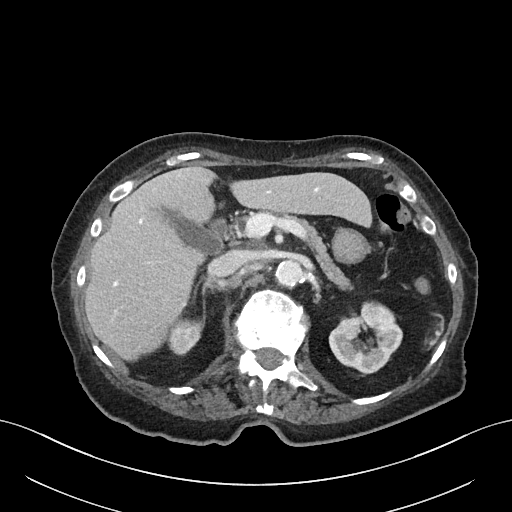
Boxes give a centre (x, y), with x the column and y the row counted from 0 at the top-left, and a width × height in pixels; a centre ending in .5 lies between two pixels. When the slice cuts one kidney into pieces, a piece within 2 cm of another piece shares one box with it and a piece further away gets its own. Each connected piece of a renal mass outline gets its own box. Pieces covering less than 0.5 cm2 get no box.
Contrast-enhanced abdominal CT, axial slice 42 of 76 (counted from the lowest slice); 3.00 mm thick, 0.768 mm per pixel. Two boxes on this slice (two kidney boxes), listed by box centre from the image's left to its right. (1) Right kidney in a box with centre (185, 336.5), 37 × 38 pixels (outlined area 1,009 px, about 5.9 cm2). (2) Box centre (365, 337), 75 × 73 pixels: left kidney (outlined area 3,576 px, about 21.1 cm2). No renal mass outline on this slice.
Acquired at 100 kVp and reconstructed with the I40f kernel.